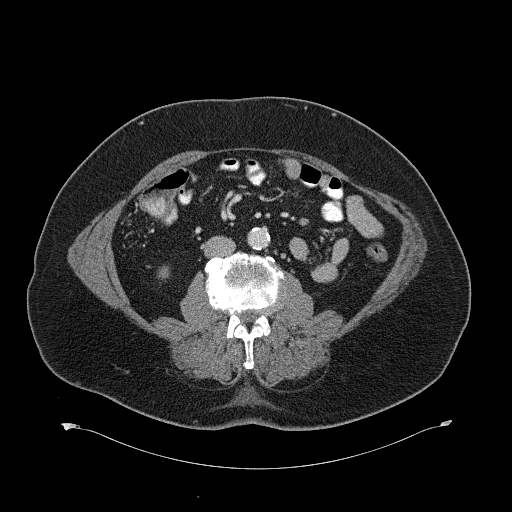
One axial slice (304 of 734, counting up from the lowest) of a contrast-enhanced abdominal CT acquired with 120 kVp, kernel B31f; each pixel is 0.971 mm and the slice is 2.00 mm thick.
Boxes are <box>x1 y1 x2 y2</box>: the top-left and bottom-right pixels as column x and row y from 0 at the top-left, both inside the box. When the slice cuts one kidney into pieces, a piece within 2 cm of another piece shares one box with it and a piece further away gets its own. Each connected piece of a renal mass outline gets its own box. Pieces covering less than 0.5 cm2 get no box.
Right kidney: <box>158 266 169 278</box> (outlined area 125 px, about 1.2 cm2). No renal mass outline on this slice.